One axial slice (88 of 270, counting up from the lowest) of an arterial-phase abdominal CT acquired with 100 kVp, kernel I40f; each pixel is 0.855 mm and the slice is 2.00 mm thick.
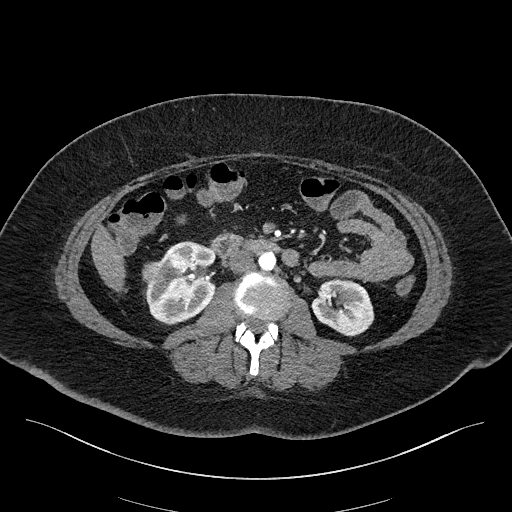
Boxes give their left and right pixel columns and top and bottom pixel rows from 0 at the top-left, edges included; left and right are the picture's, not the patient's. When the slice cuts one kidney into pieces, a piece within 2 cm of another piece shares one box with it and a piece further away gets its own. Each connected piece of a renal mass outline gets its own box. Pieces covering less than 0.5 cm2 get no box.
Three boxes on this slice (two kidney boxes and one renal mass box), listed by box centre from the image's left to its right. (1) Box with left 142, top 261, right 164, bottom 284: right renal mass (outlined area 431 px, about 3.2 cm2). (2) Box with left 146, top 241, right 216, bottom 325: right kidney (outlined area 4,264 px, about 31.2 cm2). (3) Left kidney, the box with left 311, top 278, right 374, bottom 336 (outlined area 2,697 px, about 19.7 cm2).